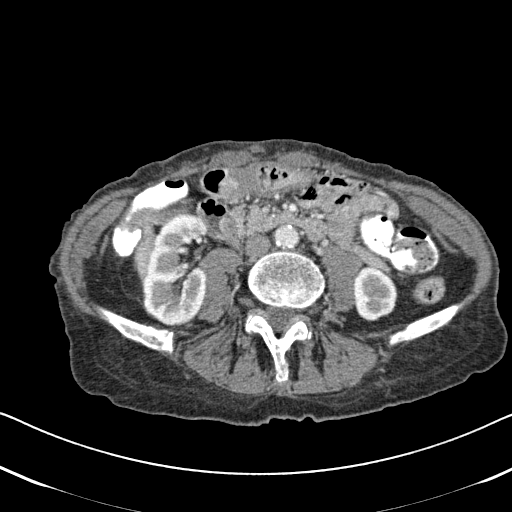
Abdominal CT with intravenous contrast, arterial phase, axial plane, 120 kVp, kernel B31f. Slice 247/620 from the bottom of the scan; thickness 2.00 mm; pixel size 0.637 mm.
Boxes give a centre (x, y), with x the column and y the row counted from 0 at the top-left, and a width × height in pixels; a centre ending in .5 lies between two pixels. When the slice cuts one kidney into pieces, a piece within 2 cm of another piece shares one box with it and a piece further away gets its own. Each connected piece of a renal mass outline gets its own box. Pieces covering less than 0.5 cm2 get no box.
Two boxes on this slice (two kidney boxes), listed by box centre from the image's left to its right. (1) Right kidney in a box with centre (174, 270), 69 × 113 pixels (outlined area 5,949 px, about 24.1 cm2). (2) Box centre (375, 293.5), 45 × 56 pixels: left kidney (outlined area 1,971 px, about 8.0 cm2). This slice carries no renal mass outline.